One axial slice (69 of 92, counting up from the lowest) of a contrast-enhanced abdominal CT acquired with 100 kVp, kernel I41f; each pixel is 0.684 mm and the slice is 3.00 mm thick.
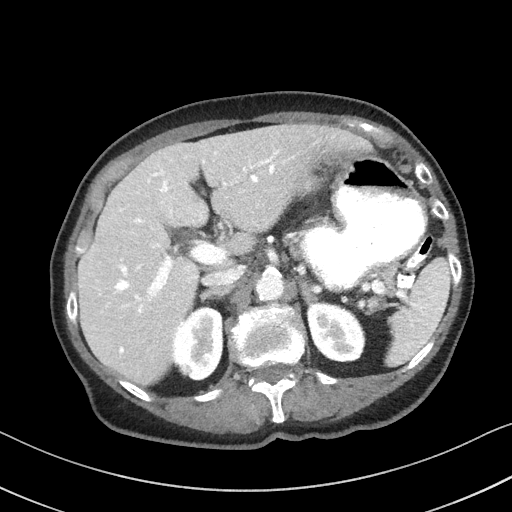
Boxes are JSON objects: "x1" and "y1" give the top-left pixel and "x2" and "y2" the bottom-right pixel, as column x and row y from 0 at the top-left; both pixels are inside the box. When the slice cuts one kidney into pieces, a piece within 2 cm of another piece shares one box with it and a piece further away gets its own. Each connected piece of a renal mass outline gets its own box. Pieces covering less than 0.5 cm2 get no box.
Two kidney boxes on this slice; by box centre, from the image's left to its right: (1) Right kidney, box {"x1": 172, "y1": 306, "x2": 222, "y2": 380} (outlined area 3,006 px, about 14.0 cm2). (2) Left kidney, box {"x1": 306, "y1": 302, "x2": 365, "y2": 362} (outlined area 2,807 px, about 13.1 cm2). This slice carries no renal mass outline.